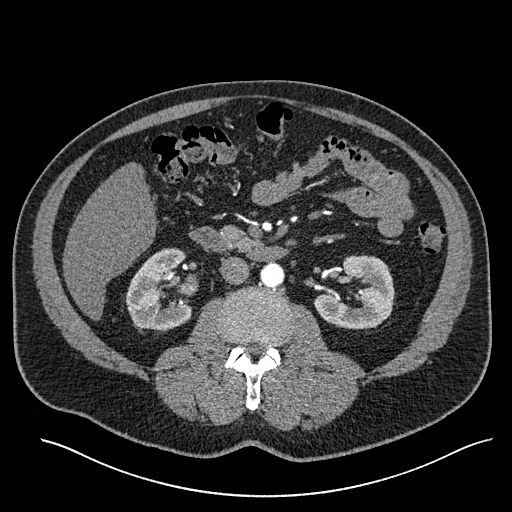
Abdominal CT with intravenous contrast, arterial phase, axial plane, 120 kVp, kernel I30f. Slice 303/527 from the bottom of the scan; thickness 1.00 mm; pixel size 0.859 mm.
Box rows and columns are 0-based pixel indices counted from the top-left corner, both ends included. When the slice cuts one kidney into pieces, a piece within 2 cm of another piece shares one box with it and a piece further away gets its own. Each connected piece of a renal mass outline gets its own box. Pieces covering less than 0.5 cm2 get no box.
Two boxes on this slice (two kidney boxes), listed by box centre from the image's left to its right. (1) Box rows 248–331, columns 125–192: right kidney (outlined area 4,056 px, about 30.0 cm2). (2) Left kidney at rows 255–329, columns 314–395 (outlined area 4,124 px, about 30.5 cm2). No renal mass outline on this slice.